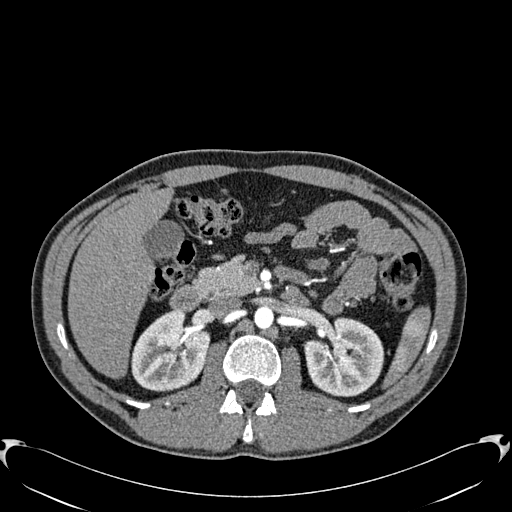
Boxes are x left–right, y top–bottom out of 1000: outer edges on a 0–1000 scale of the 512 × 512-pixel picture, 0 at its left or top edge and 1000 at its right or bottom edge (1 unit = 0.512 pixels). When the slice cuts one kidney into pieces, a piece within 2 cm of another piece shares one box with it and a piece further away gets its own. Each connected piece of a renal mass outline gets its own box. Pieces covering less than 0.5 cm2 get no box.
Arterial-phase contrast-enhanced abdominal CT, axial slice 375 of 512 (counted from the lowest slice); 1.00 mm thick, 0.771 mm per pixel. Two boxes on this slice (two kidney boxes), listed by box centre from the image's left to its right. (1) Box x 256–410, y 605–766 out of 1000: right kidney (outlined area 4,714 px, about 28.1 cm2). (2) Box x 594–752, y 621–775 out of 1000: left kidney (outlined area 4,862 px, about 28.9 cm2). No renal mass is outlined on this slice.
Scan settings: 120 kVp, B30f reconstruction kernel.